One axial slice (595 of 987, counting up from the lowest) of an arterial-phase abdominal CT acquired with 120 kVp, kernel I26f; each pixel is 0.977 mm and the slice is 1.00 mm thick.
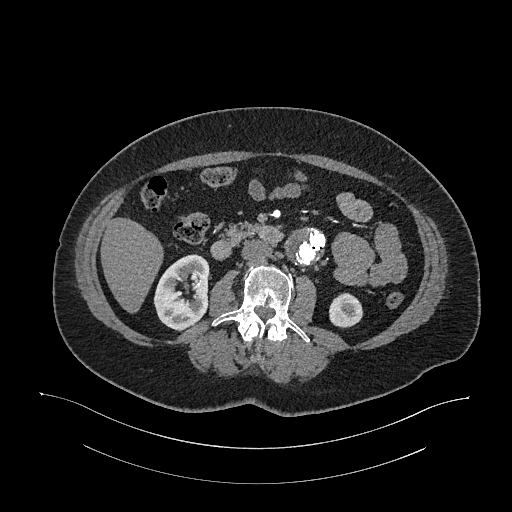
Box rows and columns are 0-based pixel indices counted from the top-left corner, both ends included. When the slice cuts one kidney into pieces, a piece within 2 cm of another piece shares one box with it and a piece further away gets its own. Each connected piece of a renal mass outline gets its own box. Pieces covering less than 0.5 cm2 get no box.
Two boxes on this slice (two kidney boxes), listed by box centre from the image's left to its right. (1) Right kidney, box rows 254–331, columns 153–209 (outlined area 3,184 px, about 30.4 cm2). (2) Left kidney at rows 292–328, columns 329–362 (outlined area 956 px, about 9.1 cm2). No renal mass outline on this slice.